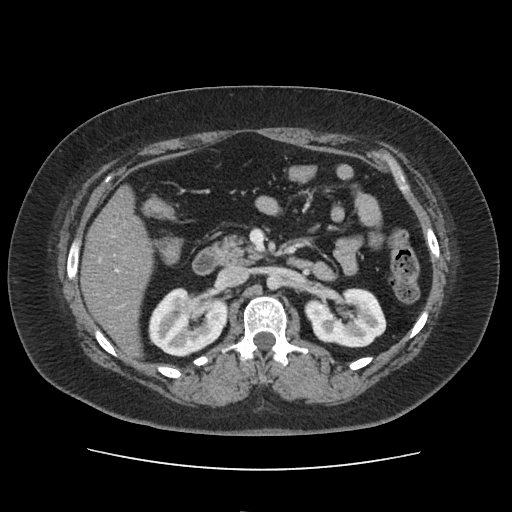
Axial slice 71 of 103 of a contrast-enhanced abdominal CT in the arterial phase (slice 1 is the lowest), 120 kVp, kernel FC19; 5.00 mm slice thickness and 0.873 mm pixels.
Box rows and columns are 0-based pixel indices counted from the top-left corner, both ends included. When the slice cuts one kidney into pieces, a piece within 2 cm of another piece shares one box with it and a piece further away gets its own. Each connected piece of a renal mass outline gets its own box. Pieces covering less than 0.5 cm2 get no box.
Two kidney boxes and one renal mass box on this slice; by box centre, from the image's left to its right: (1) Box rows 287–311, columns 171–198: right renal mass (outlined area 505 px, about 3.8 cm2). (2) Right kidney, box rows 291–356, columns 148–227 (outlined area 3,535 px, about 26.9 cm2). (3) Left kidney at rows 287–347, columns 304–386 (outlined area 3,726 px, about 28.4 cm2).